One axial slice (404 of 538, counting up from the lowest) of an arterial-phase abdominal CT acquired with 120 kVp, kernel B30f; each pixel is 0.811 mm and the slice is 1.00 mm thick.
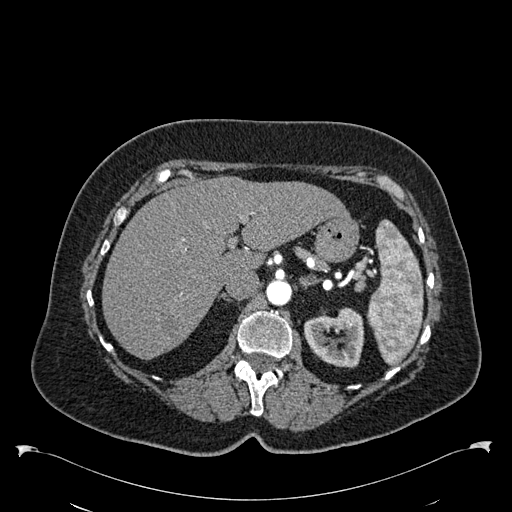
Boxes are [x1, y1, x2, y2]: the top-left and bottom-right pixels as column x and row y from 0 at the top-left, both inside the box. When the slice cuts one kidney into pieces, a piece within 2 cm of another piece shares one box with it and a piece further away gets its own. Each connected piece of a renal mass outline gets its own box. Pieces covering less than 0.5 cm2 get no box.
Left kidney, box [304, 307, 364, 367] (outlined area 2,619 px, about 17.2 cm2). This slice carries no renal mass outline.